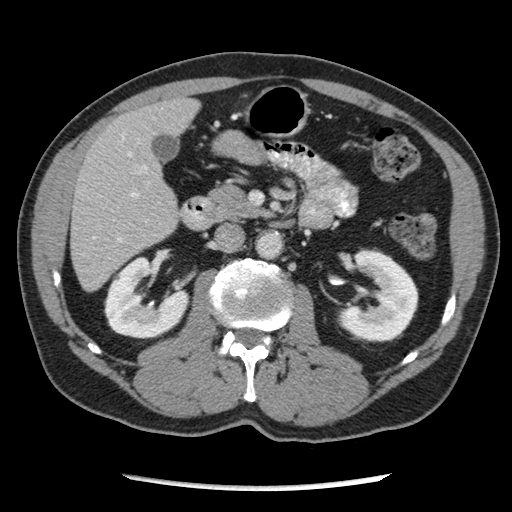
Abdominal CT with intravenous contrast, arterial phase, axial plane, 120 kVp, kernel STANDARD. Slice 121/262 from the bottom of the scan; thickness 2.50 mm; pixel size 0.703 mm.
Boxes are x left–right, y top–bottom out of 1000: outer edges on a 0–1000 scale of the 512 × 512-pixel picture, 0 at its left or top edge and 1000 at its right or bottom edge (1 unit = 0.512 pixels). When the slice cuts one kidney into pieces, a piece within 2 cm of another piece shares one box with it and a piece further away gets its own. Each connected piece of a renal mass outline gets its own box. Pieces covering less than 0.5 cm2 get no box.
Two kidney boxes on this slice; by box centre, from the image's left to its right: (1) Right kidney, box x 205–371, y 500–660 out of 1000 (outlined area 4,516 px, about 22.3 cm2). (2) Left kidney at x 658–818, y 484–670 out of 1000 (outlined area 5,184 px, about 25.6 cm2). No renal mass is outlined on this slice.